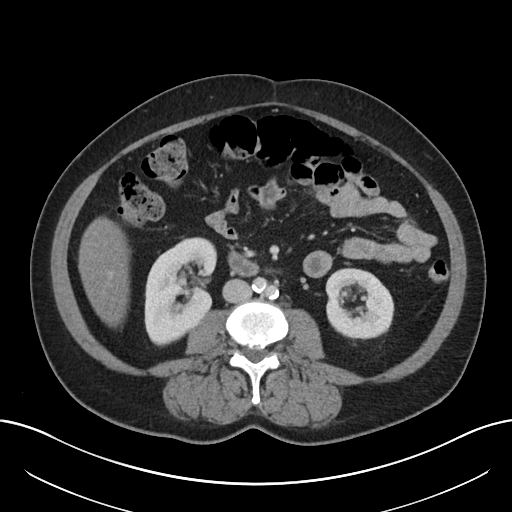
One axial slice (103 of 197, counting up from the lowest) of a contrast-enhanced abdominal CT acquired with 120 kVp, kernel I30f; each pixel is 0.791 mm and the slice is 5.00 mm thick.
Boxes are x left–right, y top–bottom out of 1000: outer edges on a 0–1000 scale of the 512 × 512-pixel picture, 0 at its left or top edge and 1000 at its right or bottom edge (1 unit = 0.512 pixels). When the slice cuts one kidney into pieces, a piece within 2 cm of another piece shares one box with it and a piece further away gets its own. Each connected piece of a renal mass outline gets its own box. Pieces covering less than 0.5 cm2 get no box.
Two boxes on this slice (two kidney boxes), listed by box centre from the image's left to its right. (1) Right kidney at x 281–426, y 463–678 out of 1000 (outlined area 5,844 px, about 36.6 cm2). (2) Box x 635–771, y 521–664 out of 1000: left kidney (outlined area 3,930 px, about 24.6 cm2). No renal mass outline on this slice.